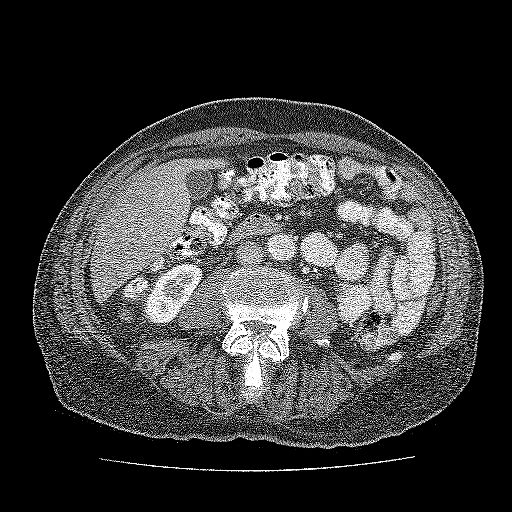
One axial slice (79 of 137, counting up from the lowest) of a contrast-enhanced abdominal CT acquired with 120 kVp, kernel FC52; each pixel is 0.741 mm and the slice is 3.00 mm thick.
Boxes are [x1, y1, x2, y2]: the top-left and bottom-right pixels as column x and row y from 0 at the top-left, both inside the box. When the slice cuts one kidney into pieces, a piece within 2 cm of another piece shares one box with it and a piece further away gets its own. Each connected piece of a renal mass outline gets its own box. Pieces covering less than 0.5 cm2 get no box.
Kidney at [141, 264, 202, 324] (outlined area 2,425 px, about 13.3 cm2). No renal mass outline on this slice.